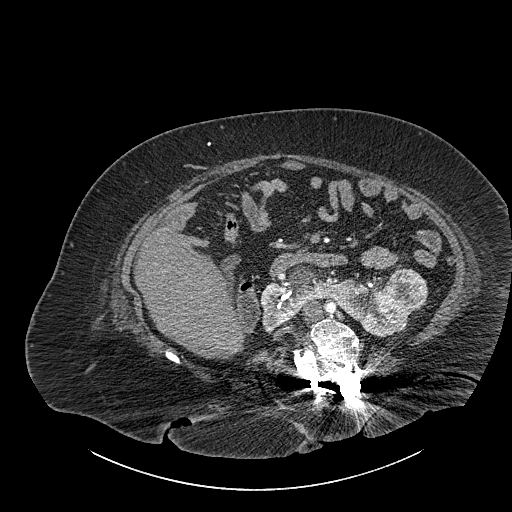
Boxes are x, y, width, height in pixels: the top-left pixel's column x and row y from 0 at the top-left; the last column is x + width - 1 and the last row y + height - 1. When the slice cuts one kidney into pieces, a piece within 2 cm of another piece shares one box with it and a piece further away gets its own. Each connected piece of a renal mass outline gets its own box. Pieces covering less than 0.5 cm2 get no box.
Contrast-enhanced abdominal CT, axial slice 505 of 834 (counted from the lowest slice); 1.00 mm thick, 0.977 mm per pixel. Boxed on this slice (one kidney box and one renal mass box), listed by box centre from the image's left to its right: (1) Kidney crossing the body midline at x 259, y 264, width 151, height 74 (outlined area 5,521 px, about 52.7 cm2). (2) Box x 385, y 269, width 44, height 46: renal mass (outlined area 1,606 px, about 15.3 cm2).
Tube voltage 140 kVp; convolution kernel I30f.